Abdominal CT with intravenous contrast, axial plane, 120 kVp, kernel B31f. Slice 63/107 from the bottom of the scan; thickness 5.00 mm; pixel size 0.730 mm.
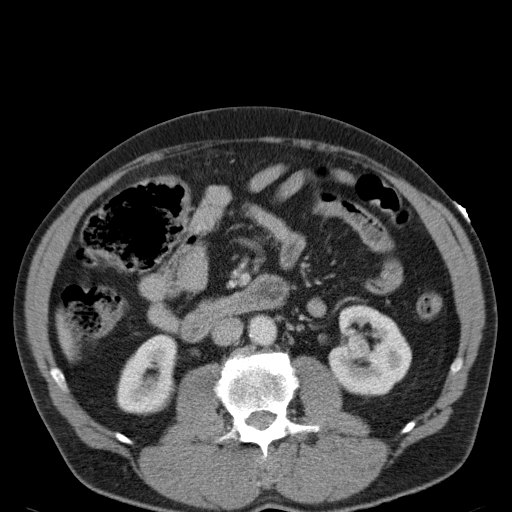
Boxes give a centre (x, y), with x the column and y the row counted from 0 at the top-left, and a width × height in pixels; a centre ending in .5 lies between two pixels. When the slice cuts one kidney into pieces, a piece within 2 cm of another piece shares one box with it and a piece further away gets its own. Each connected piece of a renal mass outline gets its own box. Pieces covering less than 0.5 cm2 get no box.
Two boxes on this slice (two kidney boxes), listed by box centre from the image's left to its right. (1) Right kidney in a box with centre (147, 374), 63 × 83 pixels (outlined area 3,756 px, about 20.0 cm2). (2) Left kidney in a box with centre (369.5, 350.5), 84 × 94 pixels (outlined area 5,577 px, about 29.8 cm2). This slice carries no renal mass outline.